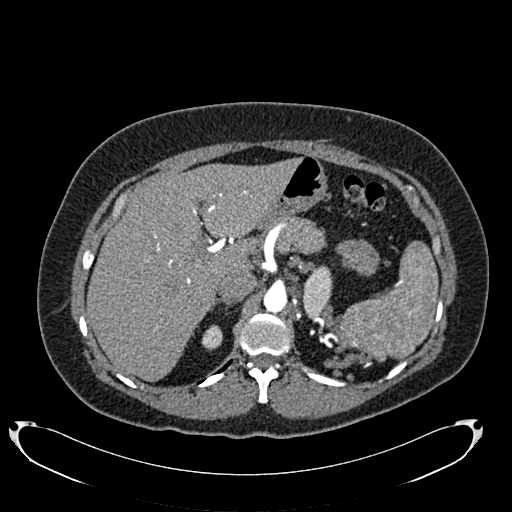
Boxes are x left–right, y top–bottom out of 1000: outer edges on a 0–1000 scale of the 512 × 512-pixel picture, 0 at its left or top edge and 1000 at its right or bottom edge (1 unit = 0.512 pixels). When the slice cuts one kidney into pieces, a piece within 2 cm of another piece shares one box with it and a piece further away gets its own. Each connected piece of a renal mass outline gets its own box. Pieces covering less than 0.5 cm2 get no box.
This is axial slice 537 of 634 (slice 1 is the lowest) of an arterial-phase abdominal CT with contrast; each pixel is 0.838 mm and the slice is 1.00 mm thick. Boxed on this slice (two kidney boxes), listed by box centre from the image's left to its right: (1) Right kidney, box x 393–436, y 633–686 out of 1000 (outlined area 410 px, about 2.9 cm2). (2) Box x 590–650, y 520–627 out of 1000: left kidney (outlined area 1,188 px, about 8.3 cm2). This slice carries no renal mass outline.
Scan settings: 120 kVp, B20f reconstruction kernel.